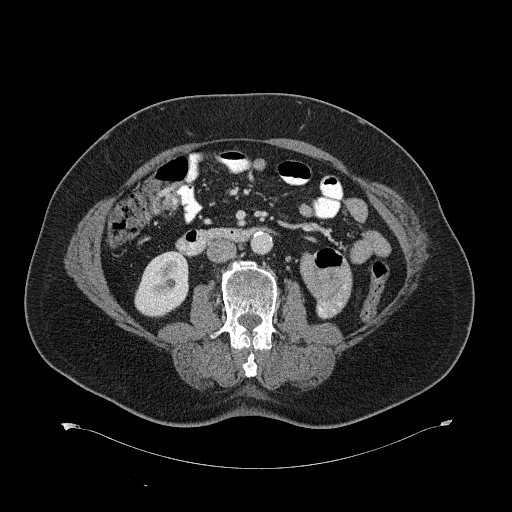
Abdominal CT with intravenous contrast, axial plane, 120 kVp, kernel B31f. Slice 327/734 from the bottom of the scan; thickness 2.00 mm; pixel size 0.971 mm.
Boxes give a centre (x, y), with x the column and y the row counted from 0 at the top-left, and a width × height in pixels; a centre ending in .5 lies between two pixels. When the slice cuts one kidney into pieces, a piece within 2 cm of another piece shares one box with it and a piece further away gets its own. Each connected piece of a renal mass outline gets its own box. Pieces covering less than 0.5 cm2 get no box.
Right kidney in a box with centre (161, 283.5), 55 × 66 pixels (outlined area 2,746 px, about 25.9 cm2). No renal mass outline on this slice.